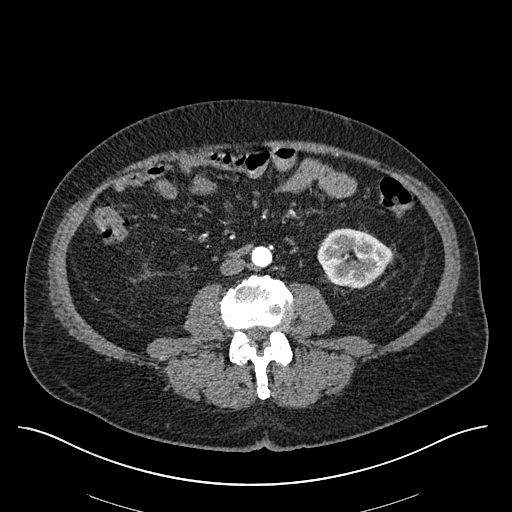
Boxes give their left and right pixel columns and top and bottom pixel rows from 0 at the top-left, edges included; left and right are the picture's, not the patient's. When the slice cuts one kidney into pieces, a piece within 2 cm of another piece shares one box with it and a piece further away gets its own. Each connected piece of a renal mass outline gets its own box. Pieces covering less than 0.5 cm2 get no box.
This is axial slice 241 of 670 (slice 1 is the lowest) of an arterial-phase abdominal CT with contrast; each pixel is 0.861 mm and the slice is 1.00 mm thick. Box with left 317, top 228, right 392, bottom 287: left kidney (outlined area 3,356 px, about 24.9 cm2). No renal mass outline on this slice.
Scan settings: 120 kVp, I30f reconstruction kernel.